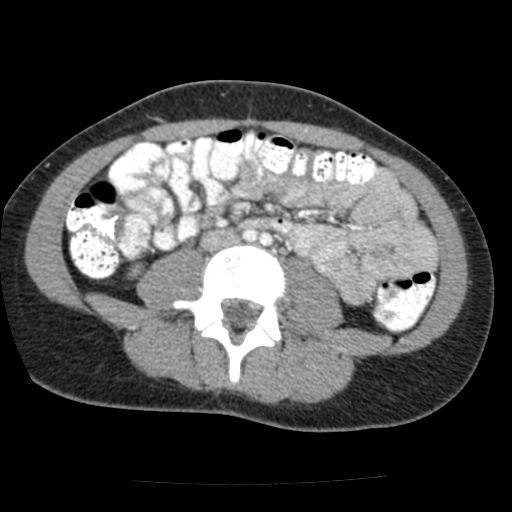
Axial slice 65 of 117 of a contrast-enhanced abdominal CT in the arterial phase (slice 1 is the lowest), 120 kVp, kernel FC12; 3.00 mm slice thickness and 0.518 mm pixels.
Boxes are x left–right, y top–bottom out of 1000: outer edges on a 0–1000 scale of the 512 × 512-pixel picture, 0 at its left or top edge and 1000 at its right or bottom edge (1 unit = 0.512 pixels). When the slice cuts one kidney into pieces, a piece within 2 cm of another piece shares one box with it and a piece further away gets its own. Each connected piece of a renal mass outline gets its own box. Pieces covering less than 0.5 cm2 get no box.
Right kidney at x 246–289, y 508–549 out of 1000 (outlined area 298 px, about 0.8 cm2). This slice carries no renal mass outline.